One axial slice (48 of 274, counting up from the lowest) of an arterial-phase abdominal CT acquired with 120 kVp, kernel B30f; each pixel is 0.809 mm and the slice is 2.00 mm thick.
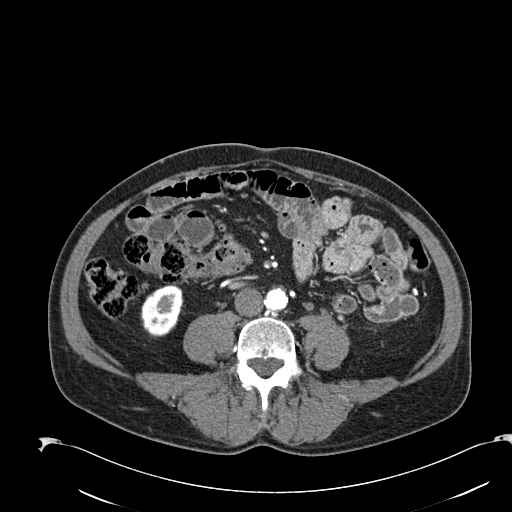
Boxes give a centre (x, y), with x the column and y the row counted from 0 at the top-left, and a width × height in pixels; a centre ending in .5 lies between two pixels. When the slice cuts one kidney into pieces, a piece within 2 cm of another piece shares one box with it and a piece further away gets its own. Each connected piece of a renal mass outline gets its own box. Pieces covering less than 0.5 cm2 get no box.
Right kidney in a box with centre (161.5, 310.5), 44 × 54 pixels (outlined area 1,720 px, about 11.2 cm2). No renal mass is outlined on this slice.